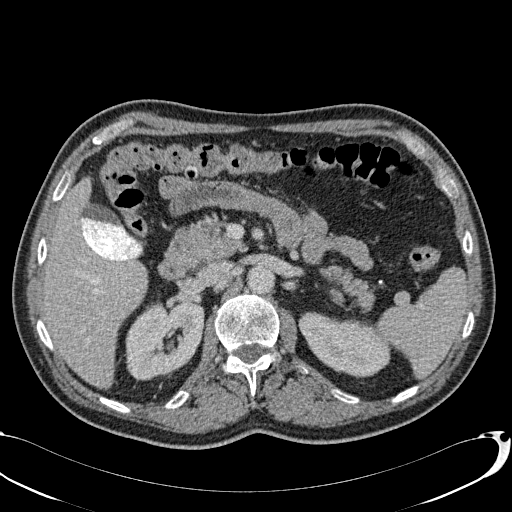
Axial slice 55 of 113 of a contrast-enhanced abdominal CT (slice 1 is the lowest), 120 kVp, kernel B31f; 2.00 mm slice thickness and 0.742 mm pixels.
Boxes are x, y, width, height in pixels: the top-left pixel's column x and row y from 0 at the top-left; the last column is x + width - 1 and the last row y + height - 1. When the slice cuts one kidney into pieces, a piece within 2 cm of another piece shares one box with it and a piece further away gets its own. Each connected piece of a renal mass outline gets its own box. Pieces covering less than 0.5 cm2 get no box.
Boxed on this slice (two kidney boxes), listed by box centre from the image's left to its right: (1) Right kidney at x 124, y 300, width 80, height 81 (outlined area 4,901 px, about 27.0 cm2). (2) Left kidney, box x 298, y 312, width 93, height 67 (outlined area 4,180 px, about 23.0 cm2). This slice carries no renal mass outline.